Arterial-phase contrast-enhanced abdominal CT, axial slice 165 of 349 (counted from the lowest slice); tube voltage 120 kVp, convolution kernel STANDARD; slices 1.25 mm thick, 0.742 mm per pixel.
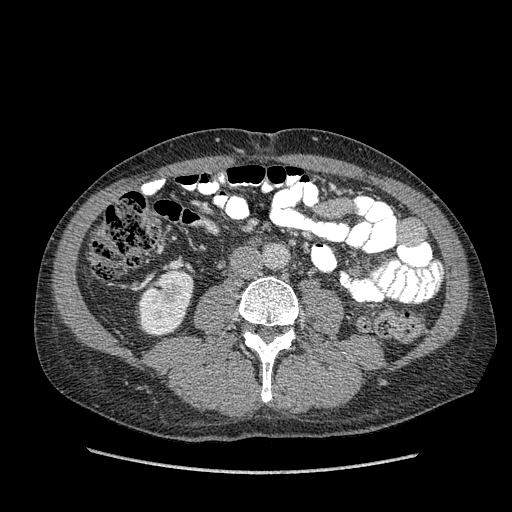
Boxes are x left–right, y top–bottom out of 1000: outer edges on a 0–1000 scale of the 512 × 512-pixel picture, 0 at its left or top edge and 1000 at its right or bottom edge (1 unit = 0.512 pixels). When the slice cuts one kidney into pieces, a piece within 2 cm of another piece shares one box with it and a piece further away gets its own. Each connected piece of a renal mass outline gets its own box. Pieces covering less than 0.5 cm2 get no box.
Right kidney, box x 268–379, y 525–658 out of 1000 (outlined area 2,850 px, about 15.7 cm2). No renal mass is outlined on this slice.